Abdominal CT with intravenous contrast, axial plane, 100 kVp, kernel I40f. Slice 362/439 from the bottom of the scan; thickness 2.00 mm; pixel size 0.850 mm.
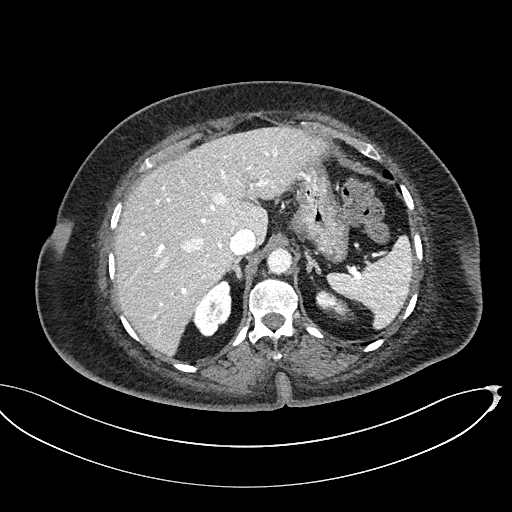
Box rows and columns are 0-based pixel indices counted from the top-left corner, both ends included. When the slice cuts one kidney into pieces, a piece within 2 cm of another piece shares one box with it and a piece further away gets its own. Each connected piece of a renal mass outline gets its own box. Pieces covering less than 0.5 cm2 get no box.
Two kidney boxes on this slice; by box centre, from the image's left to its right: (1) Right kidney at rows 279–336, columns 192–231 (outlined area 1,532 px, about 11.1 cm2). (2) Left kidney at rows 288–320, columns 315–354 (outlined area 699 px, about 5.0 cm2). No renal mass is outlined on this slice.